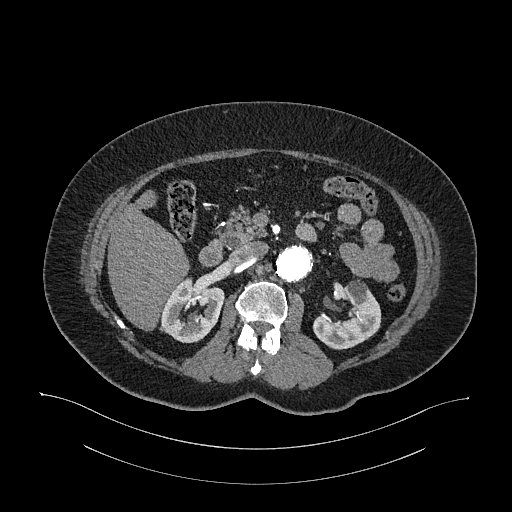
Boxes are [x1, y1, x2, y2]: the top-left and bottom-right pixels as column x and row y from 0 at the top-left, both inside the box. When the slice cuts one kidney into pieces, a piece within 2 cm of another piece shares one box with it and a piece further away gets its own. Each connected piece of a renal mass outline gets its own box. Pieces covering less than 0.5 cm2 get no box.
Slice 674/987 of a contrast-enhanced abdominal CT in the arterial phase, counting up from the lowest; pixel size 0.977 mm, slice thickness 1.00 mm. Boxed on this slice (two kidney boxes), listed by box centre from the image's left to its right: (1) Box [159, 277, 224, 343]: right kidney (outlined area 2,941 px, about 28.0 cm2). (2) Left kidney, box [312, 279, 381, 349] (outlined area 2,967 px, about 28.3 cm2). No renal mass outline on this slice.
Tube voltage 120 kVp; convolution kernel I26f.